Arterial-phase contrast-enhanced abdominal CT, axial slice 329 of 670 (counted from the lowest slice); tube voltage 120 kVp, convolution kernel I30f; slices 1.00 mm thick, 0.861 mm per pixel.
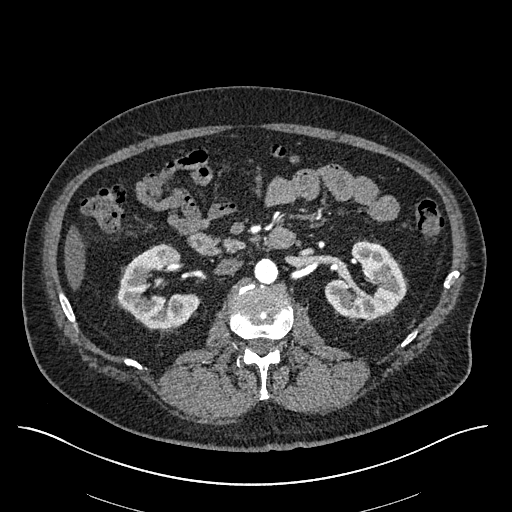
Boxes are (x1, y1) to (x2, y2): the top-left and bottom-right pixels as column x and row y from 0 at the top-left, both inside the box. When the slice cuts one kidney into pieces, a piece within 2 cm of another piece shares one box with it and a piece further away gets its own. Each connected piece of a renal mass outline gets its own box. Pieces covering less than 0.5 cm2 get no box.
Two kidney boxes and one renal mass box on this slice; by box centre, from the image's left to its right: (1) Right kidney, box (117, 243) to (199, 329) (outlined area 4,029 px, about 29.9 cm2). (2) Right renal mass from (163, 246) to (182, 263) (outlined area 265 px, about 2.0 cm2). (3) Left kidney, box (324, 241) to (407, 319) (outlined area 4,254 px, about 31.6 cm2).